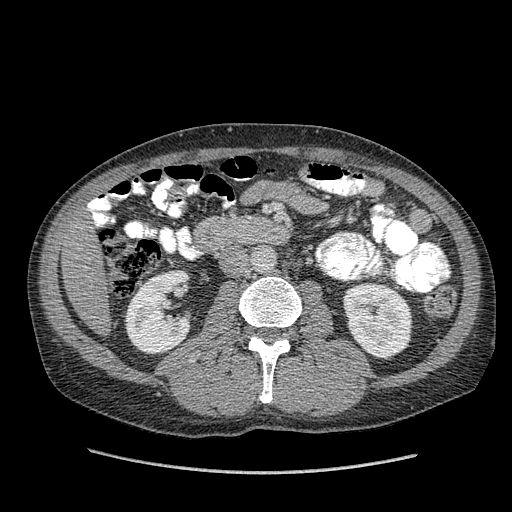
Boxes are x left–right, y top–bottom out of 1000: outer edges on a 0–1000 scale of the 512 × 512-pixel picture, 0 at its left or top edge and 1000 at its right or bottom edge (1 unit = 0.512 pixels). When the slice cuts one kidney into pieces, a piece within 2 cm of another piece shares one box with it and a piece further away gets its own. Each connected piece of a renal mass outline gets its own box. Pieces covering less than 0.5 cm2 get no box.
Arterial-phase contrast-enhanced abdominal CT, axial slice 191 of 349 (counted from the lowest slice); 1.25 mm thick, 0.742 mm per pixel. Boxed on this slice (two kidney boxes), listed by box centre from the image's left to its right: (1) Right kidney at x 242–377, y 525–693 out of 1000 (outlined area 4,279 px, about 23.6 cm2). (2) Left kidney at x 668–807, y 551–703 out of 1000 (outlined area 4,249 px, about 23.4 cm2). No renal mass outline on this slice.
Tube voltage 120 kVp; convolution kernel STANDARD.